One axial slice (223 of 325, counting up from the lowest) of an arterial-phase abdominal CT acquired with 100 kVp, kernel I30f; each pixel is 0.703 mm and the slice is 1.00 mm thick.
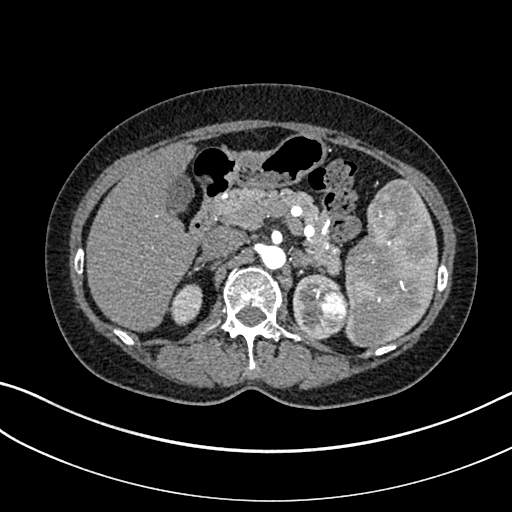
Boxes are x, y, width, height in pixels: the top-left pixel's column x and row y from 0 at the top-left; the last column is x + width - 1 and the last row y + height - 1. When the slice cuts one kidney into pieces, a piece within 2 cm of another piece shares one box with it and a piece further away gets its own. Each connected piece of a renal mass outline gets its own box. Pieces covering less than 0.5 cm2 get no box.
Two kidney boxes and one renal mass box on this slice; by box centre, from the image's left to its right: (1) Right kidney at x 168, y 283, width 35, height 43 (outlined area 1,022 px, about 5.1 cm2). (2) Box x 292, y 274, width 49, height 67: left kidney (outlined area 1,594 px, about 7.9 cm2). (3) Left renal mass, box x 312, y 289, width 36, height 45 (outlined area 1,275 px, about 6.3 cm2).